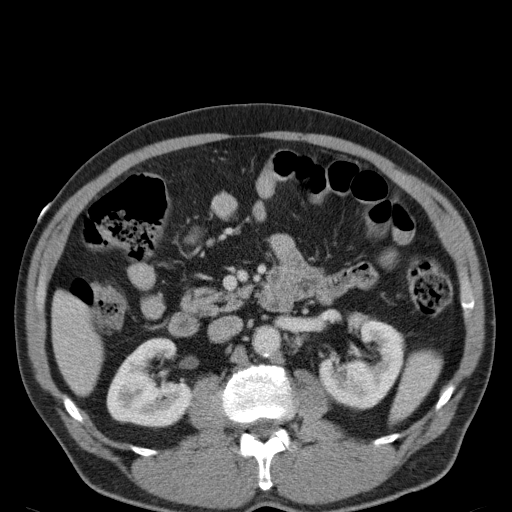
Axial slice 67 of 107 of a contrast-enhanced abdominal CT (slice 1 is the lowest), 120 kVp, kernel B31f; 5.00 mm slice thickness and 0.730 mm pixels.
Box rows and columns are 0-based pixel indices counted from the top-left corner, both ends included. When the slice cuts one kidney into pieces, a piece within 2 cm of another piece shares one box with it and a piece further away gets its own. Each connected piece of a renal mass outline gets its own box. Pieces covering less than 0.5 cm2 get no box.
Two kidney boxes on this slice; by box centre, from the image's left to its right: (1) Right kidney at rows 337–428, columns 106–191 (outlined area 5,308 px, about 28.3 cm2). (2) Left kidney at rows 321–409, columns 319–405 (outlined area 5,002 px, about 26.7 cm2). No renal mass outline on this slice.